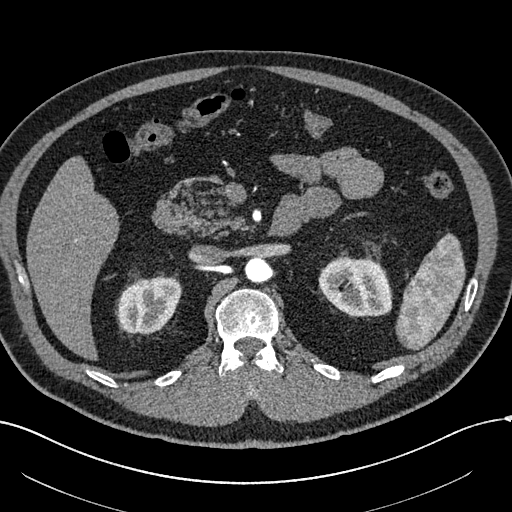
Axial slice 390 of 602 of a contrast-enhanced abdominal CT in the arterial phase (slice 1 is the lowest), 120 kVp, kernel I30f; 1.00 mm slice thickness and 0.799 mm pixels.
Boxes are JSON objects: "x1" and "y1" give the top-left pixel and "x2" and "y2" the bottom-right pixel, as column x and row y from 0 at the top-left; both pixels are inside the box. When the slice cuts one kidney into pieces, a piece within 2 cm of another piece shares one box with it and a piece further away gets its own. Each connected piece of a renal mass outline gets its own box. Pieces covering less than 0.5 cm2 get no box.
Two kidney boxes on this slice; by box centre, from the image's left to its right: (1) Box {"x1": 117, "y1": 277, "x2": 182, "y2": 333}: right kidney (outlined area 2,939 px, about 18.8 cm2). (2) Left kidney, box {"x1": 318, "y1": 256, "x2": 392, "y2": 316} (outlined area 3,529 px, about 22.5 cm2). No renal mass outline on this slice.